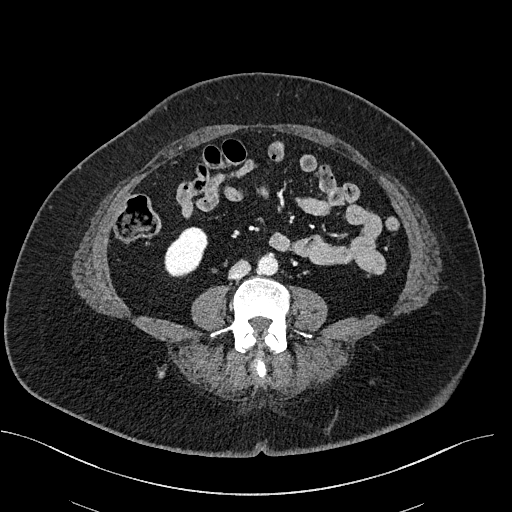
Abdominal CT with intravenous contrast, axial plane, 100 kVp, kernel I40f. Slice 243/470 from the bottom of the scan; thickness 2.00 mm; pixel size 0.824 mm.
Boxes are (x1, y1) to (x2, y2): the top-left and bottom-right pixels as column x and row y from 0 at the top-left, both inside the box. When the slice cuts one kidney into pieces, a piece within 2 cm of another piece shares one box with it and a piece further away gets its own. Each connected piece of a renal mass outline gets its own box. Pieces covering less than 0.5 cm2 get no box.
Right kidney, box (164, 226) to (207, 277) (outlined area 1,574 px, about 10.7 cm2). No renal mass outline on this slice.